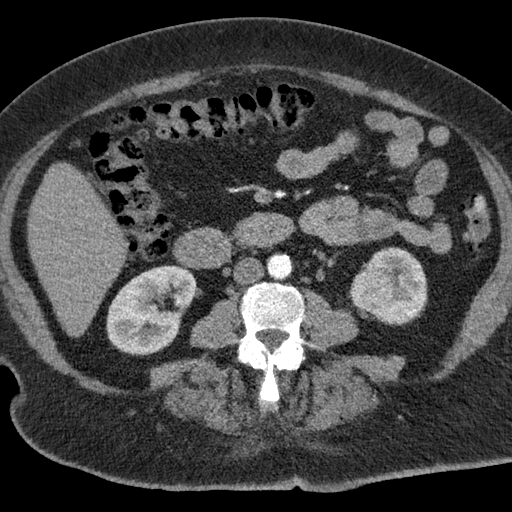
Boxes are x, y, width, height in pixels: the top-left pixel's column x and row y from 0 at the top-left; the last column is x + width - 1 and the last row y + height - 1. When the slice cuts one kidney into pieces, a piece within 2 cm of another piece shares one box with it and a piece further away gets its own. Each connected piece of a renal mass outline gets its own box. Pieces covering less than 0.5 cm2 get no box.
This is axial slice 24 of 76 (slice 1 is the lowest) of an abdominal CT with contrast; each pixel is 0.684 mm and the slice is 3.00 mm thick. Three boxes on this slice (two kidney boxes and one renal mass box), listed by box centre from the image's left to its right. (1) Right kidney, box x 106, y 265, width 91, height 91 (outlined area 5,919 px, about 27.7 cm2). (2) Left renal mass at x 348, y 270, width 46, height 40 (outlined area 1,390 px, about 6.5 cm2). (3) Left kidney, box x 360, y 246, width 68, height 80 (outlined area 3,228 px, about 15.1 cm2).
Acquired at 120 kVp and reconstructed with the B kernel.